One axial slice (44 of 52, counting up from the lowest) of an arterial-phase abdominal CT acquired with 120 kVp, kernel B30f; each pixel is 0.678 mm and the slice is 3.00 mm thick.
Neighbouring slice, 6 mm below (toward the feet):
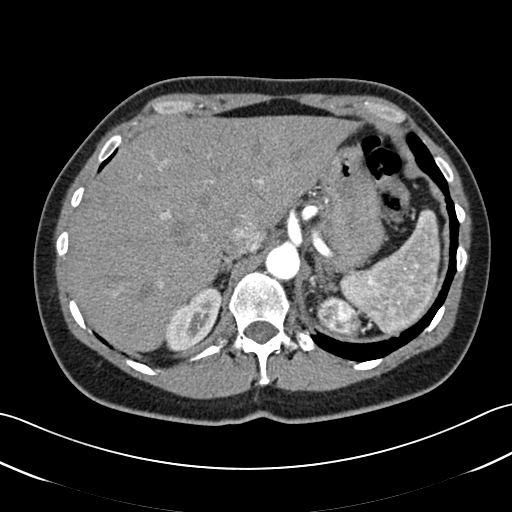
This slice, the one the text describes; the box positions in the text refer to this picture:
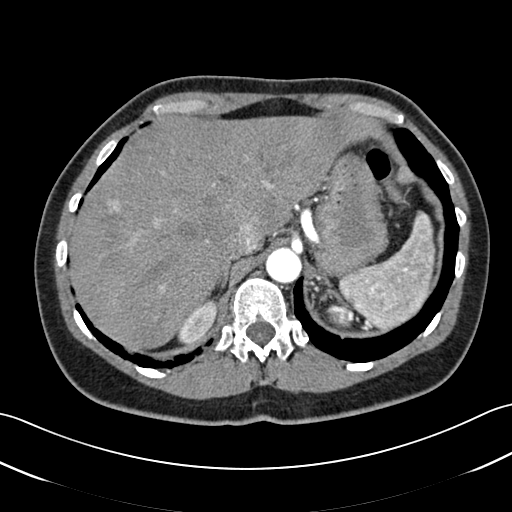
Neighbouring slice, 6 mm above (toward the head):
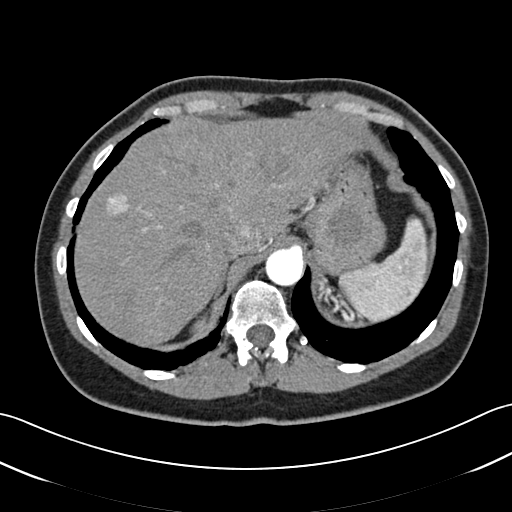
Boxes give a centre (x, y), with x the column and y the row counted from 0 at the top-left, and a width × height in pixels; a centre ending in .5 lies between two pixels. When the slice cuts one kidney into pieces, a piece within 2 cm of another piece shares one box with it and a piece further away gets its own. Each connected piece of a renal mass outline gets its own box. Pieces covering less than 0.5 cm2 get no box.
One kidney box and one renal mass box on this slice; by box centre, from the image's left to its right: (1) Box centre (197, 323.5), 41 × 44 pixels: right kidney (outlined area 1,036 px, about 4.8 cm2). (2) Box centre (340, 316.5), 29 × 24 pixels: left renal mass (outlined area 525 px, about 2.4 cm2); on this slice it lies more than 1 cm from any kidney outline, but the same outlined renal mass comes within 1 cm of the kidney on another slice. This slice lies near the end of the left renal mass toward the head; the slices 6 mm below and 6 mm above it are shown too, and the boxes mark positions on this slice only.